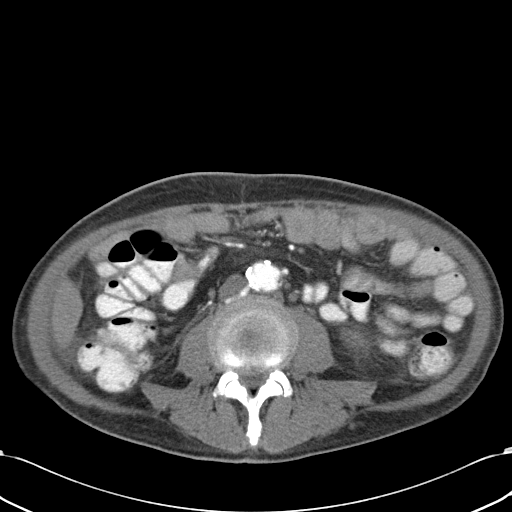
Contrast-enhanced abdominal CT, axial slice 2 of 43 (counted from the lowest slice); tube voltage 120 kVp, convolution kernel B31f; slices 5.00 mm thick, 0.701 mm per pixel.
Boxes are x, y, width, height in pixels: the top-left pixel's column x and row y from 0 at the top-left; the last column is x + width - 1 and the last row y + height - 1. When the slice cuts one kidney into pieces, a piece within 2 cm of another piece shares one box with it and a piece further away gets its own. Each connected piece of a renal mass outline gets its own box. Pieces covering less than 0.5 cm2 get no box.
Box x 340, y 327, width 31, height 32: left kidney (outlined area 703 px, about 3.5 cm2). No renal mass outline on this slice.